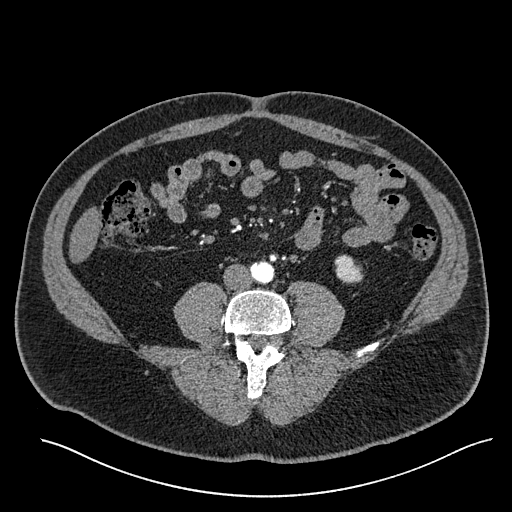
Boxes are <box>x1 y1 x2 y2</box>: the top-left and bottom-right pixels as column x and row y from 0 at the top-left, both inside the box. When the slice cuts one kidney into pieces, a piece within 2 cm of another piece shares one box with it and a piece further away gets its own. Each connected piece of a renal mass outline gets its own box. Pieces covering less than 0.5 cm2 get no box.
Slice 184/527 of a contrast-enhanced abdominal CT in the arterial phase, counting up from the lowest; pixel size 0.859 mm, slice thickness 1.00 mm. Left kidney: <box>334 254 363 283</box> (outlined area 650 px, about 4.8 cm2). No renal mass outline on this slice.
Tube voltage 120 kVp; convolution kernel I30f.